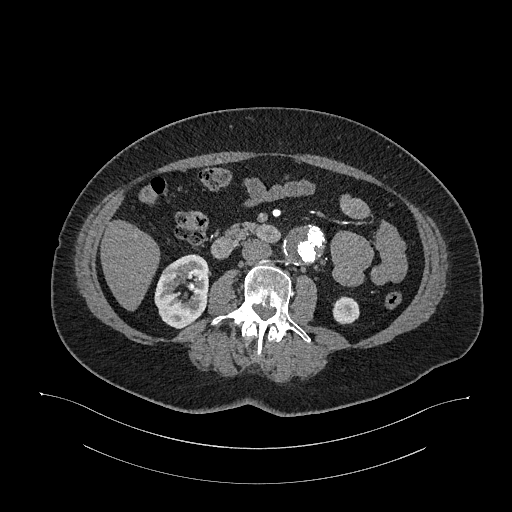
Axial slice 588 of 987 of a contrast-enhanced abdominal CT in the arterial phase (slice 1 is the lowest), 120 kVp, kernel I26f; 1.00 mm slice thickness and 0.977 mm pixels.
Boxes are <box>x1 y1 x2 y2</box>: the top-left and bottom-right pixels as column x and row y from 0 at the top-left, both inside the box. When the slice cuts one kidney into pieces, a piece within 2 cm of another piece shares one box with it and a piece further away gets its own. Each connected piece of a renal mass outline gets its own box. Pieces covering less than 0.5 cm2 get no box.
Two kidney boxes on this slice; by box centre, from the image's left to its right: (1) At <box>154 254 209 328</box>: right kidney (outlined area 3,036 px, about 29.0 cm2). (2) Left kidney: <box>332 296 359 324</box> (outlined area 623 px, about 5.9 cm2).